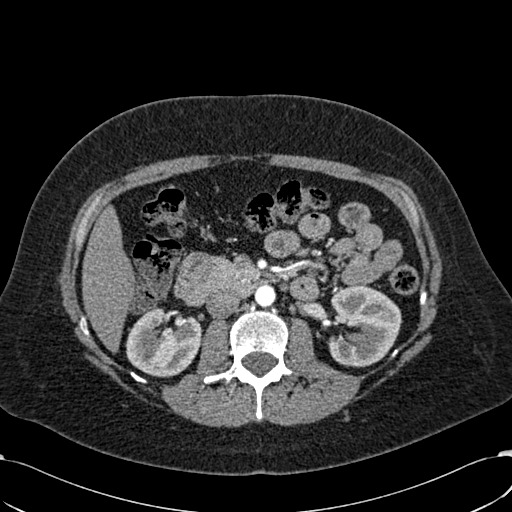
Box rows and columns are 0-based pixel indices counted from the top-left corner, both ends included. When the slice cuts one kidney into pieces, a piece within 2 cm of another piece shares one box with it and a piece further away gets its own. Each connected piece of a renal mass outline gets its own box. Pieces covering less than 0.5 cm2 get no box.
Arterial-phase contrast-enhanced abdominal CT, axial slice 350 of 532 (counted from the lowest slice); 1.00 mm thick, 0.713 mm per pixel. Two kidney boxes on this slice; by box centre, from the image's left to its right: (1) Right kidney, box rows 307–377, columns 125–201 (outlined area 4,029 px, about 20.5 cm2). (2) Box rows 286–367, columns 328–401: left kidney (outlined area 4,573 px, about 23.2 cm2). This slice carries no renal mass outline.
Acquired at 120 kVp and reconstructed with the B30f kernel.